One axial slice (27 of 121, counting up from the lowest) of an arterial-phase abdominal CT acquired with 120 kVp, kernel STANDARD; each pixel is 0.861 mm and the slice is 2.50 mm thick.
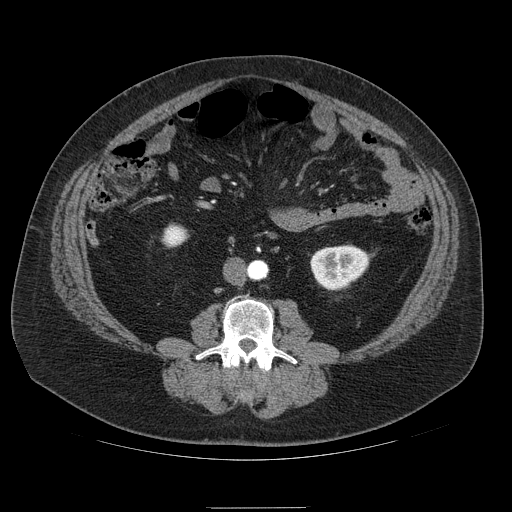
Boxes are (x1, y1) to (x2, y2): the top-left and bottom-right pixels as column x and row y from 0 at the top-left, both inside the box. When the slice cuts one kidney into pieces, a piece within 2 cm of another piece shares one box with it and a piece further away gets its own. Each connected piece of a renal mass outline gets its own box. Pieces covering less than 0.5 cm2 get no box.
Boxed on this slice (two kidney boxes), listed by box centre from the image's left to its right: (1) Box (162, 224) to (187, 247): right kidney (outlined area 457 px, about 3.4 cm2). (2) Box (310, 245) to (370, 290): left kidney (outlined area 2,052 px, about 15.2 cm2). No renal mass outline on this slice.